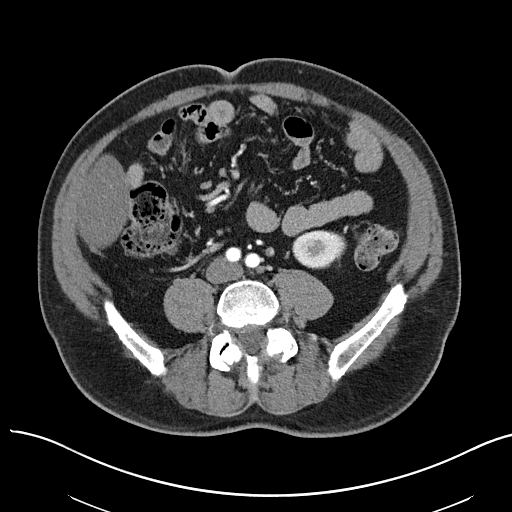
Abdominal CT with intravenous contrast, arterial phase, axial plane, 100 kVp, kernel I40f. Slice 8/97 from the bottom of the scan; thickness 3.00 mm; pixel size 0.797 mm.
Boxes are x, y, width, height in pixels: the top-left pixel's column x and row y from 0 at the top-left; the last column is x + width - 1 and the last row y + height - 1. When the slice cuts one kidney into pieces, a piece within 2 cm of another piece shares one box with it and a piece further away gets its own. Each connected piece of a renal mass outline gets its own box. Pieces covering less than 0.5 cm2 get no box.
Left kidney at x 292, y 230, width 55, height 39 (outlined area 1,661 px, about 10.5 cm2). This slice carries no renal mass outline.